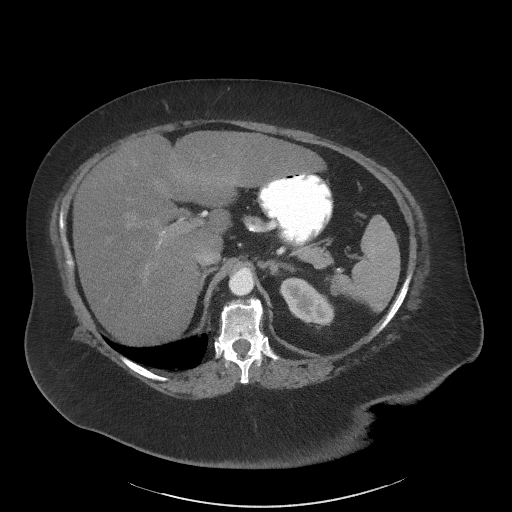
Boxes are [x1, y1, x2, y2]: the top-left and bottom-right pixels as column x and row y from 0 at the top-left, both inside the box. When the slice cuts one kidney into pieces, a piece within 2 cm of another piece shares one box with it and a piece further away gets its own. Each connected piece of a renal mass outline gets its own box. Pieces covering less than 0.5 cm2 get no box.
Arterial-phase contrast-enhanced abdominal CT, axial slice 52 of 61 (counted from the lowest slice); 3.00 mm thick, 0.947 mm per pixel. Left kidney, box [279, 277, 334, 328] (outlined area 1,817 px, about 16.3 cm2). No renal mass outline on this slice.
Scan settings: 140 kVp, I41f reconstruction kernel.